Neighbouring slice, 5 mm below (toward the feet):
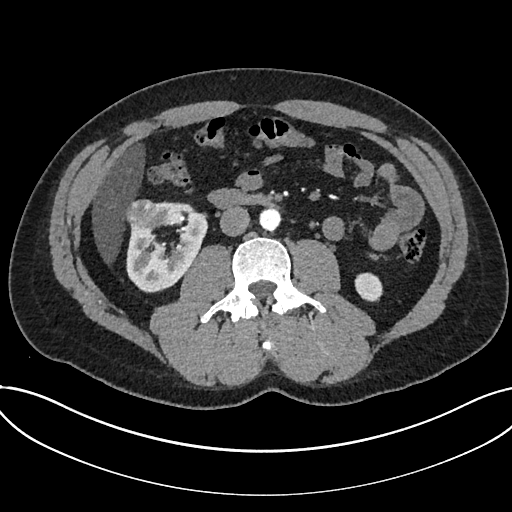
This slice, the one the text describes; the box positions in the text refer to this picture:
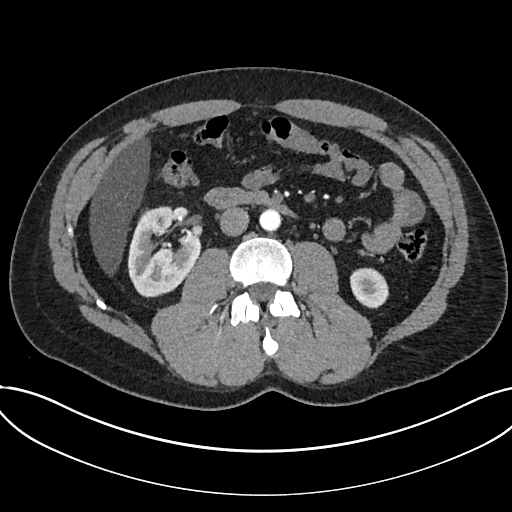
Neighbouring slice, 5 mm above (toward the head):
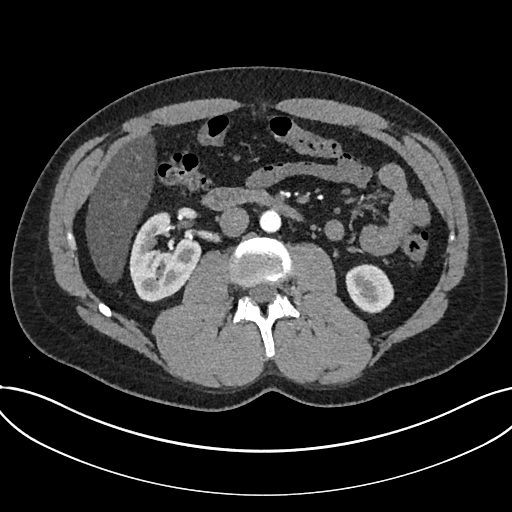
Abdominal CT with intravenous contrast, arterial phase, axial plane, 120 kVp, kernel I30f. Slice 370/735 from the bottom of the scan; thickness 1.00 mm; pixel size 0.789 mm.
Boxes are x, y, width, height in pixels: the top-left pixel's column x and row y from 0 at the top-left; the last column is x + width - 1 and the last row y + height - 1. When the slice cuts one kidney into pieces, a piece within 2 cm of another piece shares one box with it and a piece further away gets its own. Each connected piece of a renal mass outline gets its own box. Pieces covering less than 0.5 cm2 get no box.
Three boxes on this slice (two kidney boxes and one renal mass box), listed by box centre from the image's left to its right. (1) Renal mass, box x 139, y 208, width 11, height 13 (outlined area 96 px, about 0.6 cm2). (2) Box x 127, y 206, width 74, height 92: kidney (outlined area 4,855 px, about 30.2 cm2). (3) Kidney at x 350, y 267, width 40, height 42 (outlined area 1,251 px, about 7.8 cm2). This slice is near the end of a renal mass toward the head, so the slices 5 mm below and 5 mm above it are shown as well; the boxes refer to this slice only.